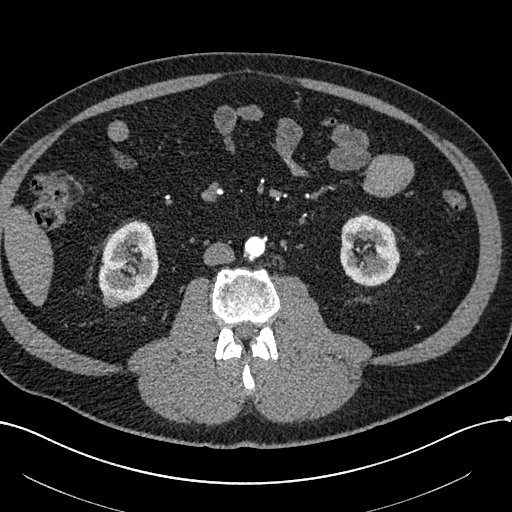
Axial slice 254 of 602 of a contrast-enhanced abdominal CT in the arterial phase (slice 1 is the lowest), 120 kVp, kernel I30f; 1.00 mm slice thickness and 0.799 mm pixels.
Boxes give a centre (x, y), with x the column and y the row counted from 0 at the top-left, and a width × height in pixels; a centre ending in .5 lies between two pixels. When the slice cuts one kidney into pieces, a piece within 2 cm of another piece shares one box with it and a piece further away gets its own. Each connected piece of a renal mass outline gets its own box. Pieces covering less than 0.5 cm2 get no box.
Three boxes on this slice (two kidney boxes and one renal mass box), listed by box centre from the image's left to its right. (1) Box centre (111, 299.5), 19 × 16 pixels: right renal mass (outlined area 227 px, about 1.4 cm2). (2) Box centre (128, 262.5), 61 × 84 pixels: right kidney (outlined area 3,676 px, about 23.5 cm2). (3) Left kidney, box centre (370, 249.5), 61 × 74 pixels (outlined area 3,394 px, about 21.7 cm2).